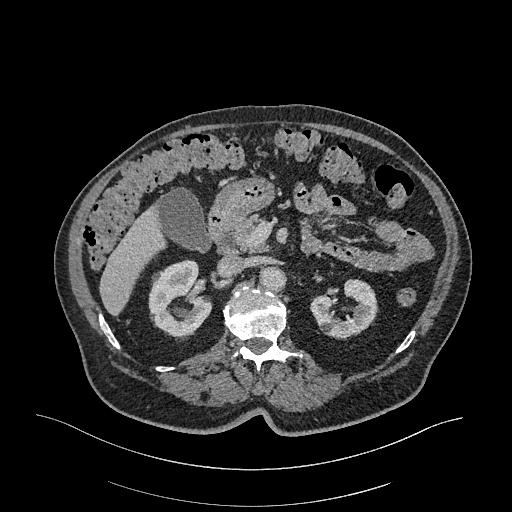
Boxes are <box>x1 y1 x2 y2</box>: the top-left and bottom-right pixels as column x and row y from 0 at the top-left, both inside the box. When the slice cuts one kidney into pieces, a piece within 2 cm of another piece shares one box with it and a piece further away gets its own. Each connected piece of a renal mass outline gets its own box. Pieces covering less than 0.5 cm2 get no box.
Slice 197/470 of a contrast-enhanced abdominal CT in the arterial phase, counting up from the lowest; pixel size 0.938 mm, slice thickness 1.00 mm. Boxed on this slice (two kidney boxes), listed by box centre from the image's left to its right: (1) At <box>148 259 211 336</box>: right kidney (outlined area 3,551 px, about 31.2 cm2). (2) At <box>310 278 377 339</box>: left kidney (outlined area 2,637 px, about 23.2 cm2). No renal mass is outlined on this slice.
Scan settings: 120 kVp, I26f reconstruction kernel.